Axial slice 347 of 705 of a contrast-enhanced abdominal CT in the arterial phase (slice 1 is the lowest), 120 kVp, kernel I30f; 1.00 mm slice thickness and 0.703 mm pixels.
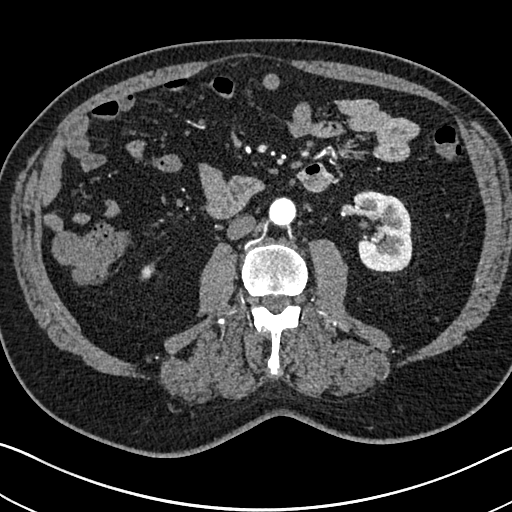
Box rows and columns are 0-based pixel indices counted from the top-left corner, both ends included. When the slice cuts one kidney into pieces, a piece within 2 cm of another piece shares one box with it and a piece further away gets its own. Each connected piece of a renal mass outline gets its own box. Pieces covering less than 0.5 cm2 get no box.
Boxed on this slice (two kidney boxes), listed by box centre from the image's left to its right: (1) Box rows 263–280, columns 140–154: right kidney (outlined area 173 px, about 0.9 cm2). (2) Left kidney at rows 190–272, columns 353–412 (outlined area 3,725 px, about 18.4 cm2). This slice carries no renal mass outline.